Axial slice 57 of 103 of a contrast-enhanced abdominal CT in the arterial phase (slice 1 is the lowest), 120 kVp, kernel FC19; 5.00 mm slice thickness and 0.873 mm pixels.
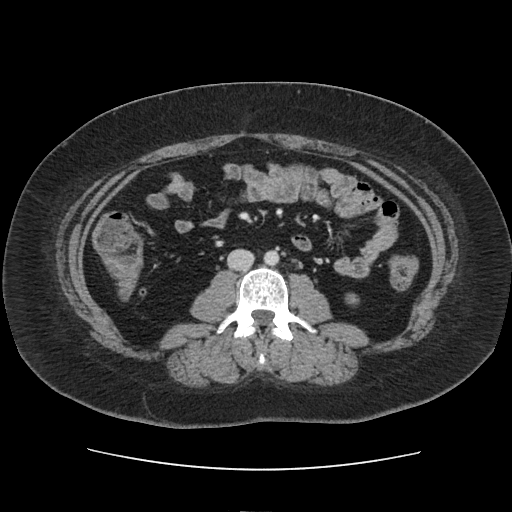
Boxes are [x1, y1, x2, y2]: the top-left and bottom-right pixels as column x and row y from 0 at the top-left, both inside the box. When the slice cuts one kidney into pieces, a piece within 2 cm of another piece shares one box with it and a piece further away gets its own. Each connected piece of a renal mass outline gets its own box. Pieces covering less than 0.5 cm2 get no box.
Left kidney at [345, 293, 359, 304] (outlined area 140 px, about 1.1 cm2). This slice carries no renal mass outline.